Contrast-enhanced abdominal CT, axial slice 18 of 48 (counted from the lowest slice); tube voltage 120 kVp, convolution kernel B30f; slices 5.00 mm thick, 0.736 mm per pixel.
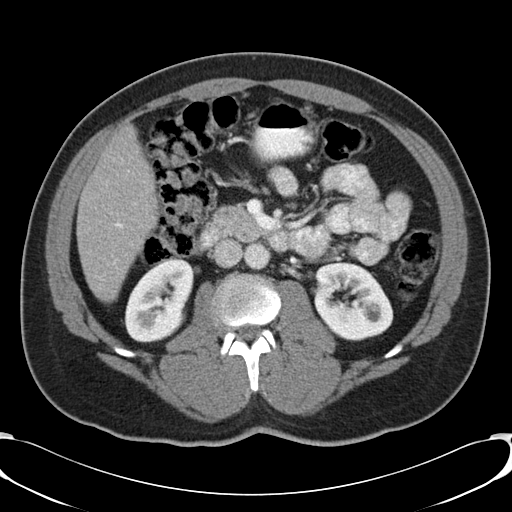
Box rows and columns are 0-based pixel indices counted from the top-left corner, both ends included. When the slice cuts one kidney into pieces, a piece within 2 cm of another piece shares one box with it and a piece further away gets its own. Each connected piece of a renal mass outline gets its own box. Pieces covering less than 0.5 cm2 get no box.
Two kidney boxes on this slice; by box centre, from the image's left to its right: (1) Box rows 258–342, columns 124–193: right kidney (outlined area 4,283 px, about 23.2 cm2). (2) Left kidney at rows 261–340, columns 313–393 (outlined area 4,815 px, about 26.1 cm2). This slice carries no renal mass outline.